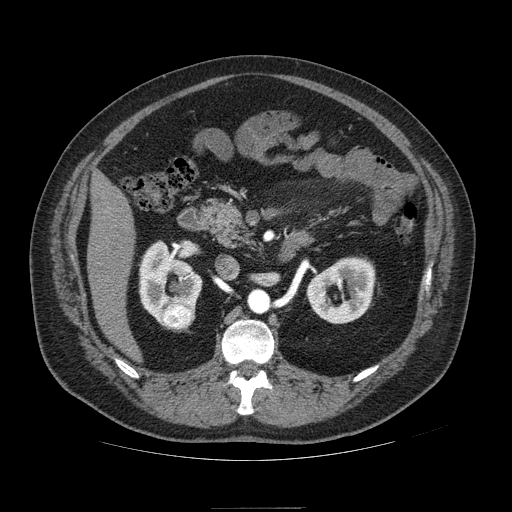
Abdominal CT with intravenous contrast, arterial phase, axial plane, 120 kVp, kernel STANDARD. Slice 57/121 from the bottom of the scan; thickness 2.50 mm; pixel size 0.861 mm.
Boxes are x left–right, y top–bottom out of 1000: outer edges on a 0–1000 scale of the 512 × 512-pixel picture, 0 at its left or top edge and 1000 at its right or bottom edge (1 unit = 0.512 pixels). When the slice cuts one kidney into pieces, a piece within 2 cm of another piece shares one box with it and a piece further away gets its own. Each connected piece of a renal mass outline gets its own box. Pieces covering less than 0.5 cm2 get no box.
Two kidney boxes and one renal mass box on this slice; by box centre, from the image's left to its right: (1) Box x 271–396, y 471–633 out of 1000: right kidney (outlined area 3,118 px, about 23.1 cm2). (2) Box x 313–381, y 588–648 out of 1000: right renal mass (outlined area 879 px, about 6.5 cm2). (3) Left kidney, box x 598–734, y 502–633 out of 1000 (outlined area 3,239 px, about 24.0 cm2).